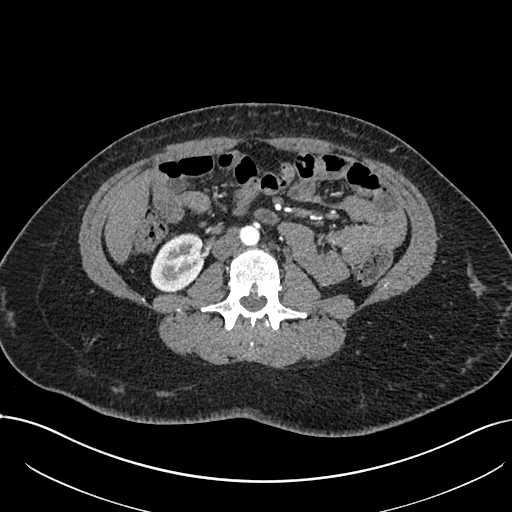
Axial slice 339 of 738 of a contrast-enhanced abdominal CT in the arterial phase (slice 1 is the lowest), 120 kVp, kernel I30f; 1.00 mm slice thickness and 0.789 mm pixels.
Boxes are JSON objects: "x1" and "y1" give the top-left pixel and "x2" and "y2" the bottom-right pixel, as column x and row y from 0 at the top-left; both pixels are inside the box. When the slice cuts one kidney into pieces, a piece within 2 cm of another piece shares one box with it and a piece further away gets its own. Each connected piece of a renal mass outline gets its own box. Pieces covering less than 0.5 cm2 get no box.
Box {"x1": 150, "y1": 233, "x2": 203, "y2": 292}: right kidney (outlined area 2,392 px, about 14.9 cm2). This slice carries no renal mass outline.